Abdominal CT with intravenous contrast, arterial phase, axial plane, 120 kVp, kernel I30f. Slice 234/626 from the bottom of the scan; thickness 1.00 mm; pixel size 0.703 mm.
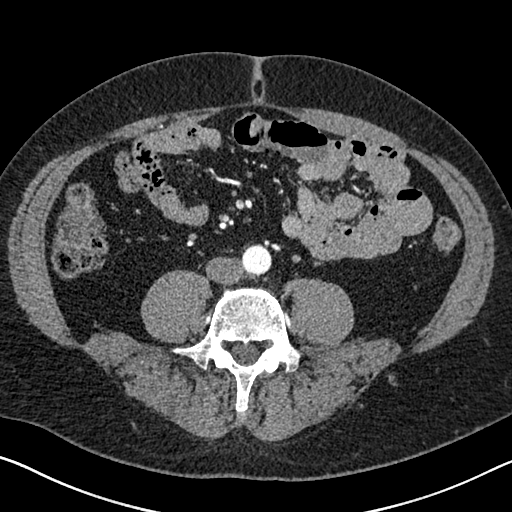
Neither a kidney nor a renal mass is outlined here. Only kidneys and renal masses are outlined anywhere in this scan; other structures are never outlined.